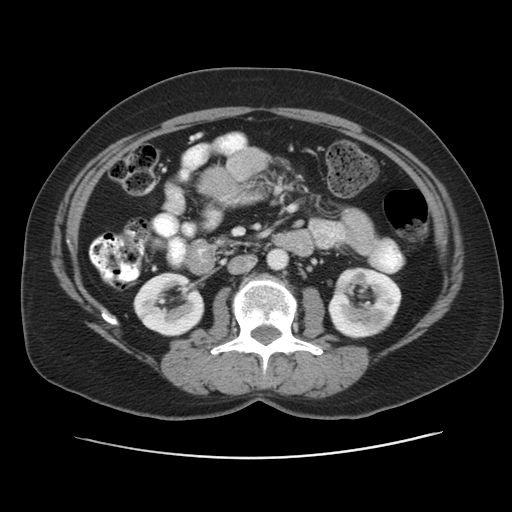
Axial slice 23 of 53 of a contrast-enhanced abdominal CT in the arterial phase (slice 1 is the lowest), 120 kVp, kernel STANDARD; 5.00 mm slice thickness and 0.703 mm pixels.
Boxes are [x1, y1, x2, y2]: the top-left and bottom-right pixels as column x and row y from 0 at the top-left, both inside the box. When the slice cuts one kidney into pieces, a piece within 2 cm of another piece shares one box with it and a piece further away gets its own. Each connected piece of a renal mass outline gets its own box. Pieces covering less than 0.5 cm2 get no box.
Two kidney boxes and one renal mass box on this slice; by box centre, from the image's left to its right: (1) Right kidney at [133, 272, 204, 336] (outlined area 3,435 px, about 17.0 cm2). (2) Left kidney at [328, 267, 401, 339] (outlined area 3,639 px, about 18.0 cm2). (3) Left renal mass at [363, 307, 387, 326] (outlined area 415 px, about 2.1 cm2).